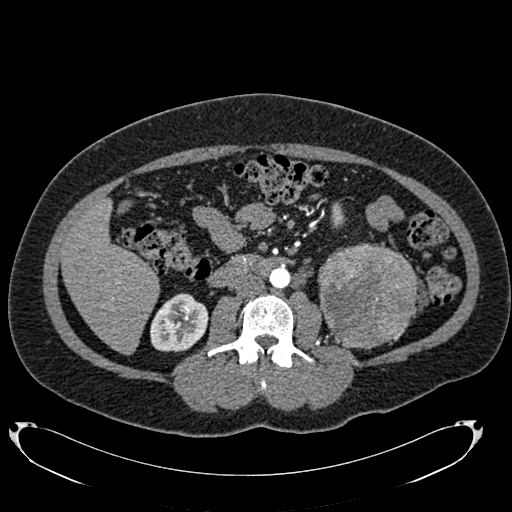
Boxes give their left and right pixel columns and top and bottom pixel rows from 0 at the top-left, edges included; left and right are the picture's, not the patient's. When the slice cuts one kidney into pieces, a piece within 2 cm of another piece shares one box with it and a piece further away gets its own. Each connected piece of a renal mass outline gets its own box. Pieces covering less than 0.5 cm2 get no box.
Slice 376/634 of a contrast-enhanced abdominal CT in the arterial phase, counting up from the lowest; pixel size 0.838 mm, slice thickness 1.00 mm. Three boxes on this slice (two kidney boxes and one renal mass box), listed by box centre from the image's left to its right. (1) Right kidney, the box with left 150, top 293, right 208, bottom 351 (outlined area 2,617 px, about 18.4 cm2). (2) Box with left 331, top 203, right 345, bottom 228: left kidney (outlined area 291 px, about 2.0 cm2). (3) Left renal mass in the box with left 318, top 242, right 418, bottom 349 (outlined area 8,523 px, about 59.8 cm2); here it is more than 1 cm from any kidney outline, though on another slice the same outlined renal mass lies within 1 cm of the kidney.
Tube voltage 120 kVp; convolution kernel B20f.